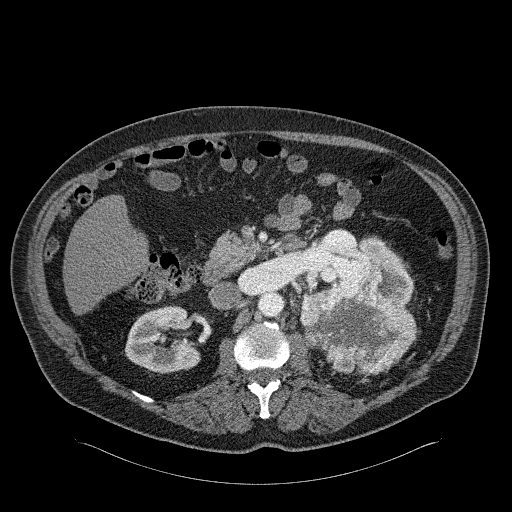
One axial slice (132 of 326, counting up from the lowest) of an arterial-phase abdominal CT acquired with 120 kVp, kernel B31f; each pixel is 0.963 mm and the slice is 2.00 mm thick.
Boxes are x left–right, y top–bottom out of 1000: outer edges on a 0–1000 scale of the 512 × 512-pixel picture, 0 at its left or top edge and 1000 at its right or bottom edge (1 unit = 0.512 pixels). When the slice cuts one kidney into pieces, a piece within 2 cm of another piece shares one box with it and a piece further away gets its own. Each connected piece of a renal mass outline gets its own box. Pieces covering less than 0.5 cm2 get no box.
Two kidney boxes and one renal mass box on this slice; by box centre, from the image's left to its right: (1) Box x 244–393, y 598–730 out of 1000: right kidney (outlined area 3,756 px, about 34.8 cm2). (2) Left kidney at x 594–809, y 463–596 out of 1000 (outlined area 2,955 px, about 27.4 cm2). (3) Left renal mass at x 586–816, y 518–732 out of 1000 (outlined area 8,567 px, about 79.4 cm2).